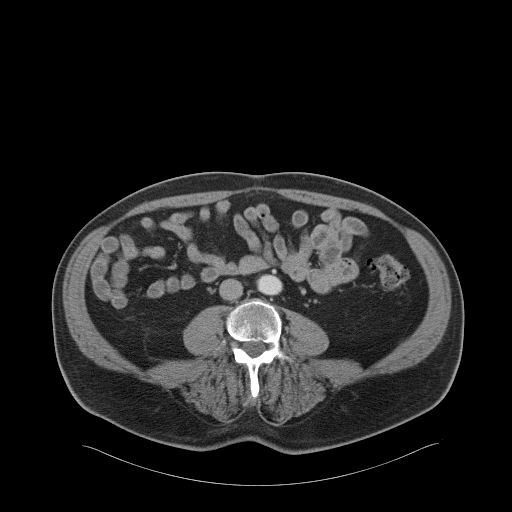
This is axial slice 5 of 68 (slice 1 is the lowest) of an arterial-phase abdominal CT with contrast; each pixel is 0.961 mm and the slice is 5.00 mm thick. Neither a kidney nor a renal mass is outlined here. Only kidneys and renal masses are outlined anywhere in this scan; other structures are never outlined.
Acquired at 120 kVp and reconstructed with the B31f kernel.